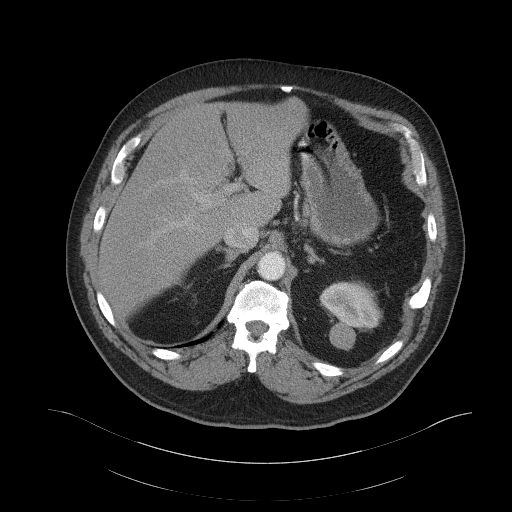
One axial slice (83 of 103, counting up from the lowest) of an arterial-phase abdominal CT acquired with 120 kVp, kernel B41f; each pixel is 0.951 mm and the slice is 5.00 mm thick.
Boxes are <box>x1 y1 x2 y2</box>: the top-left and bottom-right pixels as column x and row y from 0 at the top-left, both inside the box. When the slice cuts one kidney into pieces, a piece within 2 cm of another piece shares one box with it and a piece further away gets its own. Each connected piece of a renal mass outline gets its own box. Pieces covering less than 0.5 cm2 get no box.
Left kidney: <box>319 280 382 329</box> (outlined area 2,222 px, about 20.1 cm2). No renal mass outline on this slice.